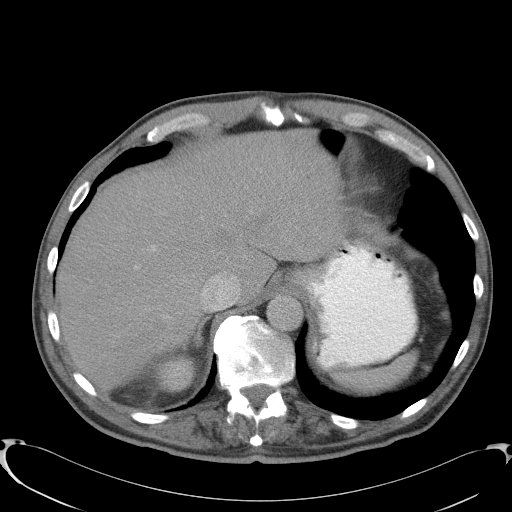
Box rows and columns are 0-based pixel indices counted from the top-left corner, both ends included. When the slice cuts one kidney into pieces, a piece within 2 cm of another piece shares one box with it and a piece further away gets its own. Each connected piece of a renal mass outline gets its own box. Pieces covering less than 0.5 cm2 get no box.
Contrast-enhanced abdominal CT, axial slice 80 of 91 (counted from the lowest slice); 5.00 mm thick, 0.762 mm per pixel. Box rows 355–393, columns 156–195: right kidney (outlined area 1,237 px, about 7.2 cm2). This slice carries no renal mass outline.
Acquired at 120 kVp and reconstructed with the B41f kernel.